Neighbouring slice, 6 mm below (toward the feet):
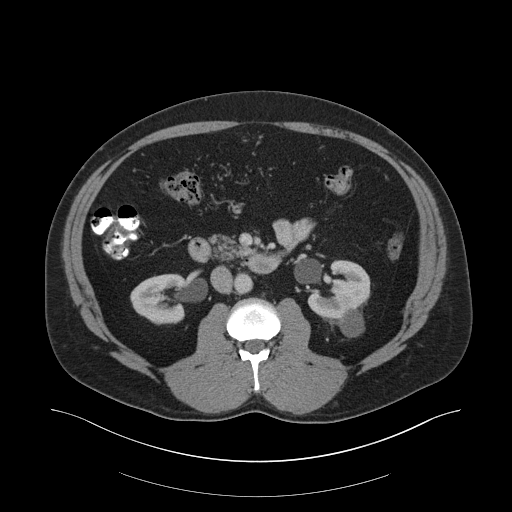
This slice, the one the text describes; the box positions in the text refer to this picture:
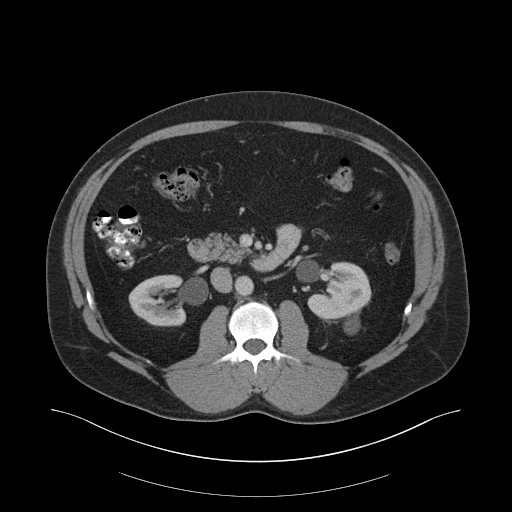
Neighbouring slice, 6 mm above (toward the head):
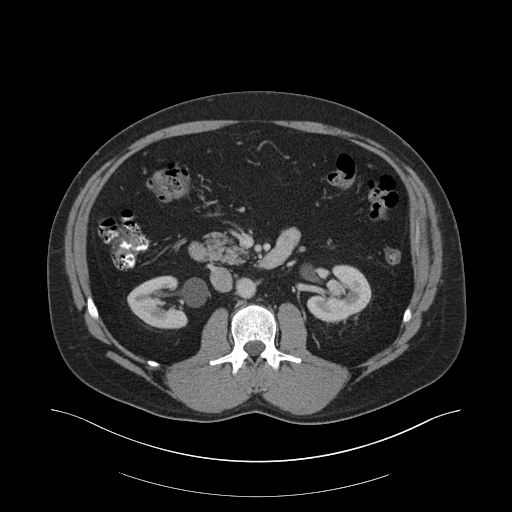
Arterial-phase contrast-enhanced abdominal CT, axial slice 104 of 159 (counted from the lowest slice); tube voltage 140 kVp, convolution kernel B30f; slices 3.00 mm thick, 0.977 mm per pixel.
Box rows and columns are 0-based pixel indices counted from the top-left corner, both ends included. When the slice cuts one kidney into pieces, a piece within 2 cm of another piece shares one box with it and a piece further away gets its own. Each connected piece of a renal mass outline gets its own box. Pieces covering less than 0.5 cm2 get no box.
Three boxes on this slice (two kidney boxes and one renal mass box), listed by box centre from the image's left to its right. (1) Right kidney, box rows 274–326, columns 128–185 (outlined area 2,359 px, about 22.5 cm2). (2) Box rows 261–319, columns 307–371: left kidney (outlined area 2,613 px, about 24.9 cm2). (3) Left renal mass at rows 315–334, columns 344–359 (outlined area 245 px, about 2.3 cm2). This slice lies near the end of the left renal mass toward the head; the slices 6 mm below and 6 mm above it are shown too, and the boxes mark positions on this slice only.